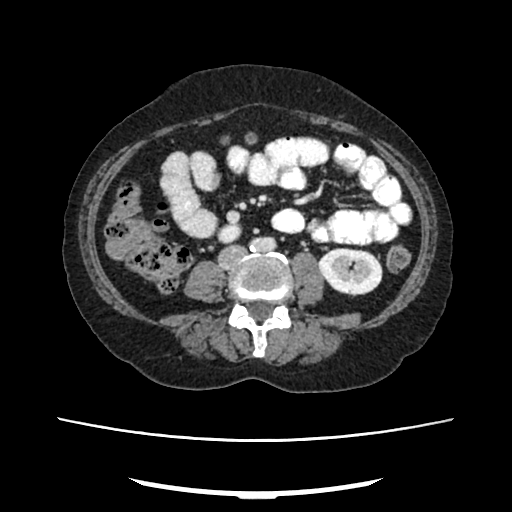
Arterial-phase contrast-enhanced abdominal CT, axial slice 110 of 207 (counted from the lowest slice); tube voltage 120 kVp, convolution kernel FC18; slices 2.00 mm thick, 0.741 mm per pixel.
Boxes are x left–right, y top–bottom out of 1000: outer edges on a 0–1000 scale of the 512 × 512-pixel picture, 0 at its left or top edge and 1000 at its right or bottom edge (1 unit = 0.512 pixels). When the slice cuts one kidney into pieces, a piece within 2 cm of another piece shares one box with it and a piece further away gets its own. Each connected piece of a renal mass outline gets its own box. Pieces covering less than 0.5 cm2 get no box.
Two boxes on this slice (two kidney boxes), listed by box centre from the image's left to its right. (1) Right kidney, box x 422–473, y 438–479 out of 1000 (outlined area 423 px, about 2.3 cm2). (2) Left kidney at x 619–748, y 484–578 out of 1000 (outlined area 2,426 px, about 13.3 cm2). No renal mass outline on this slice.